Arterial-phase contrast-enhanced abdominal CT, axial slice 317 of 738 (counted from the lowest slice); tube voltage 120 kVp, convolution kernel I30f; slices 1.00 mm thick, 0.789 mm per pixel.
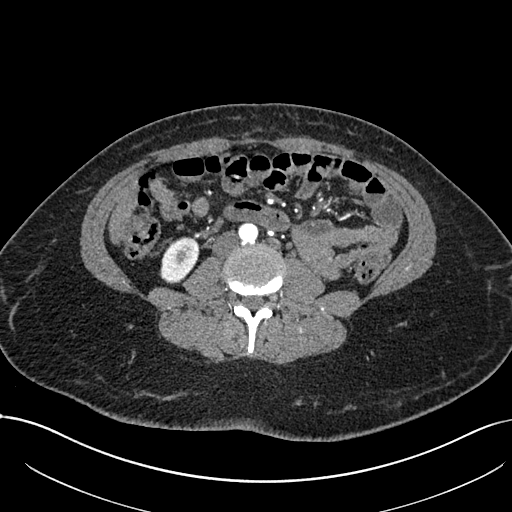
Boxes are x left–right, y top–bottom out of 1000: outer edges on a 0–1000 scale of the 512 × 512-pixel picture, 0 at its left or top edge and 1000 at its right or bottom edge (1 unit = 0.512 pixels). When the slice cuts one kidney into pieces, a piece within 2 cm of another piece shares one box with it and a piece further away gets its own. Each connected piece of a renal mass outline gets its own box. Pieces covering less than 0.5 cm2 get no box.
Right kidney, box x 311–391, y 463–555 out of 1000 (outlined area 1,370 px, about 8.5 cm2). This slice carries no renal mass outline.